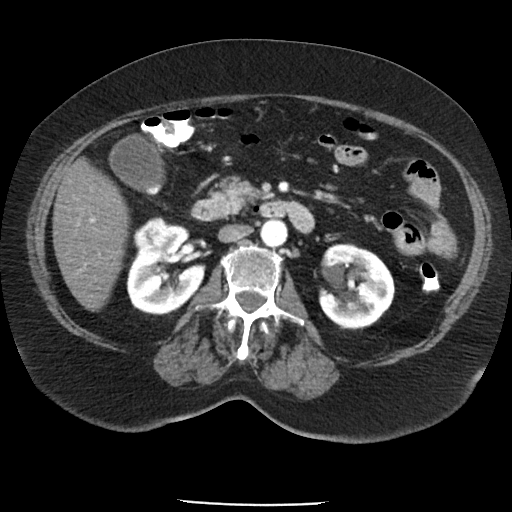
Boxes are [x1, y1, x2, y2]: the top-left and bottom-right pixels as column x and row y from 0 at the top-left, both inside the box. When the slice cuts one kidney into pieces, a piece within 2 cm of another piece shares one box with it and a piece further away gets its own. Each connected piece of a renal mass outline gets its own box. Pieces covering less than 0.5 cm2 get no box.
This is axial slice 55 of 85 (slice 1 is the lowest) of an arterial-phase abdominal CT with contrast; each pixel is 0.741 mm and the slice is 5.00 mm thick. Boxed on this slice (two kidney boxes and one renal mass box), listed by box centre from the image's left to its right: (1) Right renal mass at [133, 217, 173, 254] (outlined area 1,009 px, about 5.5 cm2). (2) Right kidney, box [126, 223, 205, 314] (outlined area 4,598 px, about 25.2 cm2). (3) Box [319, 243, 394, 328]: left kidney (outlined area 5,105 px, about 28.0 cm2).
Acquired at 120 kVp and reconstructed with the FC19 kernel.